One axial slice (278 of 433, counting up from the lowest) of a contrast-enhanced abdominal CT acquired with 120 kVp, kernel B30f; each pixel is 0.672 mm and the slice is 1.00 mm thick.
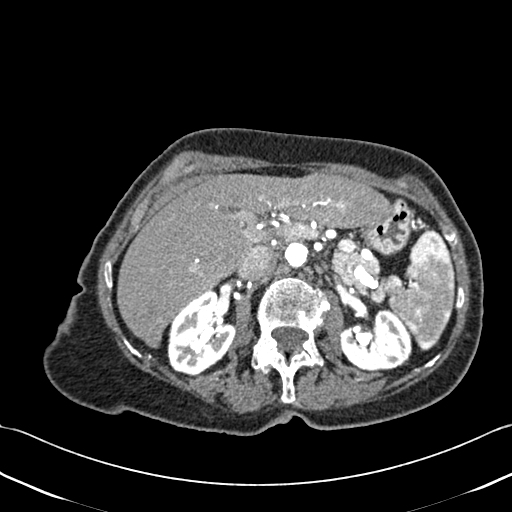
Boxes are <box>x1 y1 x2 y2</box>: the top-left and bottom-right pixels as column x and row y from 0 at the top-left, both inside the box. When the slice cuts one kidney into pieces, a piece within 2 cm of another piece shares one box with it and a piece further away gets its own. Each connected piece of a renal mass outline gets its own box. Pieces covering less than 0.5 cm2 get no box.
Two boxes on this slice (two kidney boxes), listed by box centre from the image's left to its right. (1) At <box>167 292 236 375</box>: right kidney (outlined area 4,091 px, about 18.5 cm2). (2) Left kidney: <box>339 308 411 371</box> (outlined area 3,384 px, about 15.3 cm2). No renal mass outline on this slice.